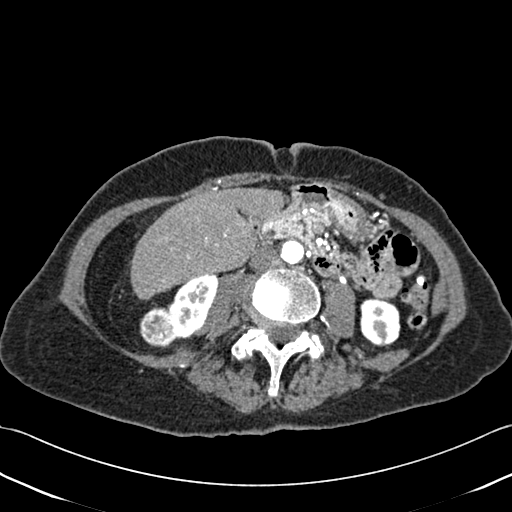
Axial slice 178 of 433 of a contrast-enhanced abdominal CT (slice 1 is the lowest), 120 kVp, kernel B30f; 1.00 mm slice thickness and 0.672 mm pixels.
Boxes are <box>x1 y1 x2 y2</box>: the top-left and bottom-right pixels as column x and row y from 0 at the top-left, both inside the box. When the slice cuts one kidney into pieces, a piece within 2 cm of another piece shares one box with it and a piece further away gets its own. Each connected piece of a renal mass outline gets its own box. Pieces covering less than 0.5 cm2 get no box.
Boxed on this slice (two kidney boxes and one renal mass box), listed by box centre from the image's left to its right: (1) Right renal mass: <box>140 305 178 348</box> (outlined area 1,238 px, about 5.6 cm2). (2) At <box>167 274 218 339</box>: right kidney (outlined area 2,075 px, about 9.4 cm2). (3) Left kidney: <box>360 298 400 347</box> (outlined area 1,653 px, about 7.5 cm2).